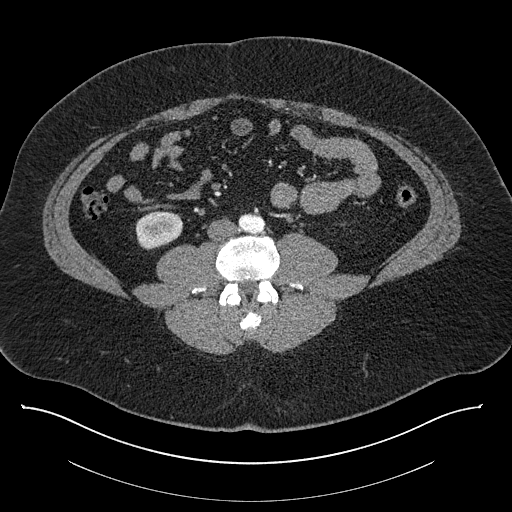
Contrast-enhanced abdominal CT, axial slice 339 of 787 (counted from the lowest slice); tube voltage 140 kVp, convolution kernel I30f; slices 1.00 mm thick, 0.910 mm per pixel.
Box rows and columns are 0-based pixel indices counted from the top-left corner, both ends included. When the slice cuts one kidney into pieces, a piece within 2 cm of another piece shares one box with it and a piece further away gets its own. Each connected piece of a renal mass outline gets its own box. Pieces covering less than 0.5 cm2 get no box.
Right kidney at rows 211–250, columns 135–182 (outlined area 1,448 px, about 12.0 cm2). No renal mass is outlined on this slice.